Axial slice 229 of 383 of a contrast-enhanced abdominal CT in the arterial phase (slice 1 is the lowest), 100 kVp, kernel SOFT; 1.25 mm slice thickness and 0.898 mm pixels.
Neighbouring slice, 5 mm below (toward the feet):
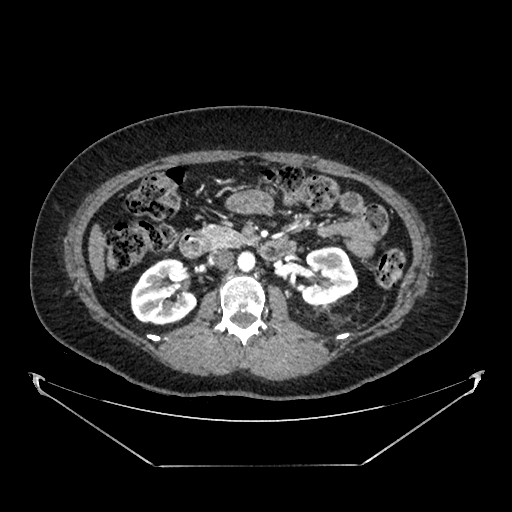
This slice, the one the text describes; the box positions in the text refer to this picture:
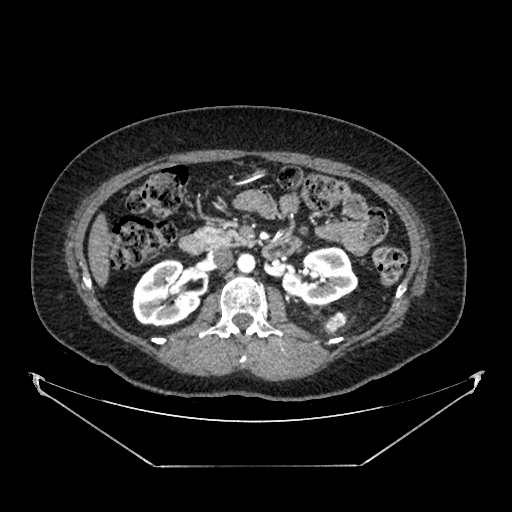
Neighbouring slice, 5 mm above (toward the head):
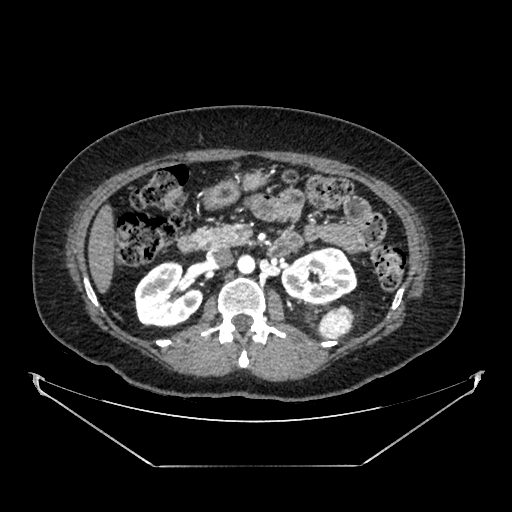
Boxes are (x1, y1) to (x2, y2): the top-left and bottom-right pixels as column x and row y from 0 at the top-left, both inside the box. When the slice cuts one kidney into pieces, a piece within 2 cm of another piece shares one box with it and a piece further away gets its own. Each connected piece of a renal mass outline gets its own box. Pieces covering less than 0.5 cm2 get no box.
Three boxes on this slice (two kidney boxes and one renal mass box), listed by box centre from the image's left to its right. (1) Box (132, 259) to (201, 326): right kidney (outlined area 3,411 px, about 27.5 cm2). (2) Box (281, 247) to (358, 306): left kidney (outlined area 3,256 px, about 26.3 cm2). (3) Left renal mass, box (322, 313) to (348, 331) (outlined area 351 px, about 2.8 cm2); here it is more than 1 cm from any kidney outline, though on another slice the same outlined renal mass lies within 1 cm of the kidney. This slice lies near the end of the left renal mass toward the feet; the slices 5 mm below and 5 mm above it are shown too, and the boxes mark positions on this slice only.